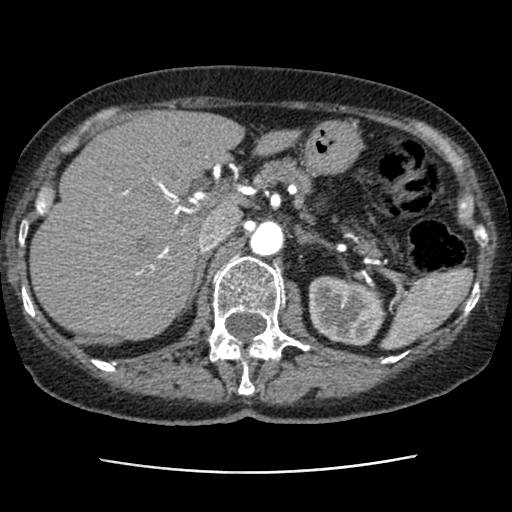
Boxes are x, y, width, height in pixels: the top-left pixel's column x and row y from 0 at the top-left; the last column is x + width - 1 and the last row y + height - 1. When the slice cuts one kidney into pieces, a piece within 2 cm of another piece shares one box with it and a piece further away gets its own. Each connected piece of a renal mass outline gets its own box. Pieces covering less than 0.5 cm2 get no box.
Slice 60/76 of a contrast-enhanced abdominal CT, counting up from the lowest; pixel size 0.586 mm, slice thickness 2.50 mm. Box x 308, y 276, width 79, height 70: left kidney (outlined area 4,265 px, about 14.6 cm2). No renal mass outline on this slice.
Tube voltage 120 kVp; convolution kernel STANDARD.